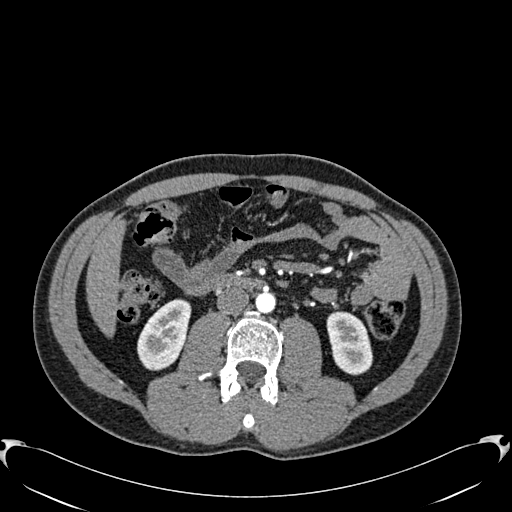
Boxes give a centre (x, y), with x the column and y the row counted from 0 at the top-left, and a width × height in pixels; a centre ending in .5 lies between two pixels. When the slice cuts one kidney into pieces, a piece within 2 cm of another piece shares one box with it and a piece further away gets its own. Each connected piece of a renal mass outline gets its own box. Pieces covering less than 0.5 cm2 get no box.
Slice 296/512 of a contrast-enhanced abdominal CT in the arterial phase, counting up from the lowest; pixel size 0.771 mm, slice thickness 1.00 mm. Two boxes on this slice (two kidney boxes), listed by box centre from the image's left to its right. (1) Right kidney in a box with centre (164, 334), 55 × 73 pixels (outlined area 2,741 px, about 16.3 cm2). (2) Left kidney, box centre (349, 343), 47 × 65 pixels (outlined area 2,268 px, about 13.5 cm2). No renal mass is outlined on this slice.
Acquired at 120 kVp and reconstructed with the B30f kernel.